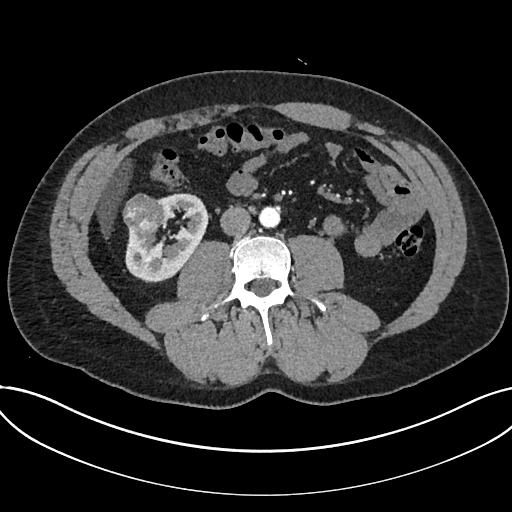
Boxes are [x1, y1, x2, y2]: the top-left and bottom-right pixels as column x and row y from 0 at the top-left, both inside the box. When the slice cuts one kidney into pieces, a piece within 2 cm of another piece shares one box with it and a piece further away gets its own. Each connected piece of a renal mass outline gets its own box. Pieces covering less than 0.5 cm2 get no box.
Slice 340/735 of a contrast-enhanced abdominal CT in the arterial phase, counting up from the lowest; pixel size 0.789 mm, slice thickness 1.00 mm. Boxed on this slice (one kidney box and one renal mass box), listed by box centre from the image's left to its right: (1) Box [122, 193, 165, 235]: renal mass (outlined area 1,390 px, about 8.7 cm2). (2) Kidney, box [125, 193, 207, 282] (outlined area 4,269 px, about 26.6 cm2).
Acquired at 120 kVp and reconstructed with the I30f kernel.